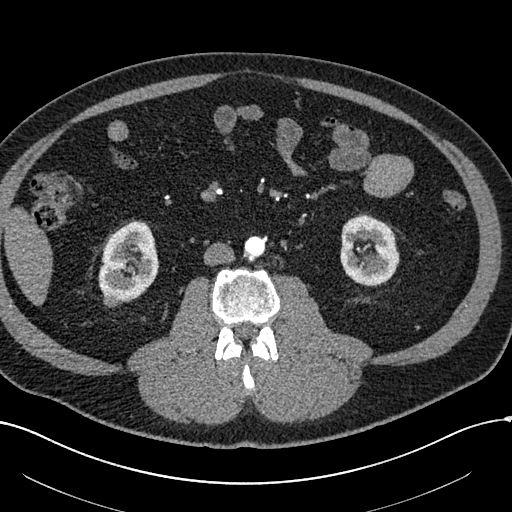
Axial slice 253 of 602 of a contrast-enhanced abdominal CT in the arterial phase (slice 1 is the lowest), 120 kVp, kernel I30f; 1.00 mm slice thickness and 0.799 mm pixels.
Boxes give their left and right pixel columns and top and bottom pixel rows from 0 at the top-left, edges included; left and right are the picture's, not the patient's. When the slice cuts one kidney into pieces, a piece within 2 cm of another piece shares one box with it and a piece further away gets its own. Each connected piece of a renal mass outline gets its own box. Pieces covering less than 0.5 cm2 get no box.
Two kidney boxes and one renal mass box on this slice; by box centre, from the image's left to its right: (1) Box with left 103, top 293, right 120, bottom 307: right renal mass (outlined area 210 px, about 1.3 cm2). (2) Right kidney in the box with left 98, top 221, right 158, bottom 304 (outlined area 3,663 px, about 23.4 cm2). (3) Box with left 340, top 213, right 399, bottom 286: left kidney (outlined area 3,372 px, about 21.5 cm2).